Axial slice 216 of 538 of a contrast-enhanced abdominal CT in the arterial phase (slice 1 is the lowest), 120 kVp, kernel B30f; 1.00 mm slice thickness and 0.811 mm pixels.
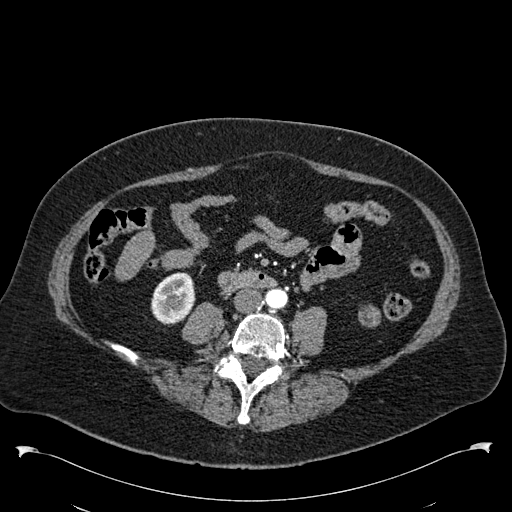
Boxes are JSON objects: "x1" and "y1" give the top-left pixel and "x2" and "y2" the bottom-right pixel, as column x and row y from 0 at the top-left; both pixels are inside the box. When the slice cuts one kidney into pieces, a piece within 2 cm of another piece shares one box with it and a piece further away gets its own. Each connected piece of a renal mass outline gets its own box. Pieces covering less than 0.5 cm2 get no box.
Two boxes on this slice (one kidney box and one renal mass box), listed by box centre from the image's left to its right. (1) Right kidney at {"x1": 151, "y1": 272, "x2": 195, "y2": 324} (outlined area 1,833 px, about 12.0 cm2). (2) Left renal mass, box {"x1": 358, "y1": 304, "x2": 380, "y2": 327} (outlined area 417 px, about 2.7 cm2); here it is more than 1 cm from any kidney outline, though on another slice the same outlined renal mass lies within 1 cm of the kidney.